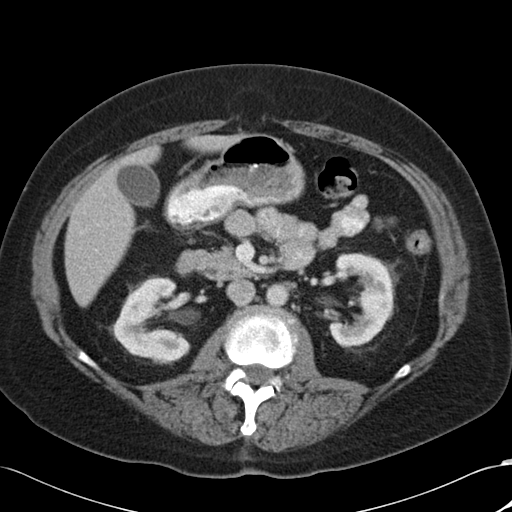
Axial slice 60 of 88 of a contrast-enhanced abdominal CT in the arterial phase (slice 1 is the lowest), 120 kVp, kernel B30f; 5.00 mm slice thickness and 0.691 mm pixels.
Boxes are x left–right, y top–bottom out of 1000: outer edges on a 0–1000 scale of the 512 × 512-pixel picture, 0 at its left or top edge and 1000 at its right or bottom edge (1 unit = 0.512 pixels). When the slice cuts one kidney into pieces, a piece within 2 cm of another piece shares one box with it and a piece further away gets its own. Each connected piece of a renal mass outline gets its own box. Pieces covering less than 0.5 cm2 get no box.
Two boxes on this slice (two kidney boxes), listed by box centre from the image's left to its right. (1) Right kidney at x 223–373, y 541–707 out of 1000 (outlined area 4,509 px, about 21.6 cm2). (2) Left kidney at x 641–770, y 492–680 out of 1000 (outlined area 4,268 px, about 20.4 cm2). No renal mass is outlined on this slice.